One axial slice (133 of 269, counting up from the lowest) of a contrast-enhanced abdominal CT acquired with 100 kVp, kernel I30f; each pixel is 0.732 mm and the slice is 5.00 mm thick.
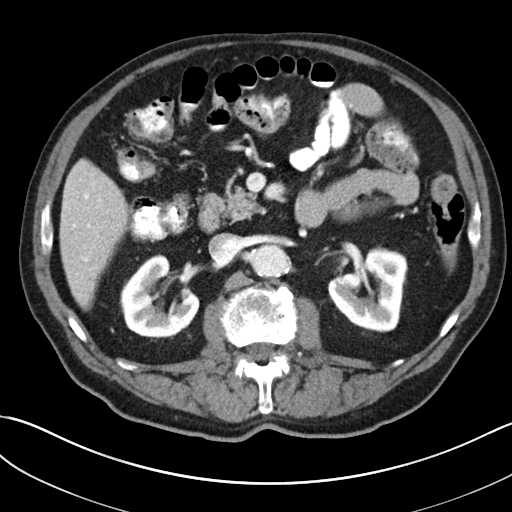
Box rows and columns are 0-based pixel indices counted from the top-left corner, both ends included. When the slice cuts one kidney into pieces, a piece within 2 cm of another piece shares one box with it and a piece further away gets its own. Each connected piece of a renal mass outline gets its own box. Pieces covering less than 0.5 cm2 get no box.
Two boxes on this slice (two kidney boxes), listed by box centre from the image's left to its right. (1) Right kidney, box rows 254–337, columns 121–199 (outlined area 4,446 px, about 23.9 cm2). (2) Left kidney at rows 245–332, columns 327–407 (outlined area 4,805 px, about 25.8 cm2). This slice carries no renal mass outline.